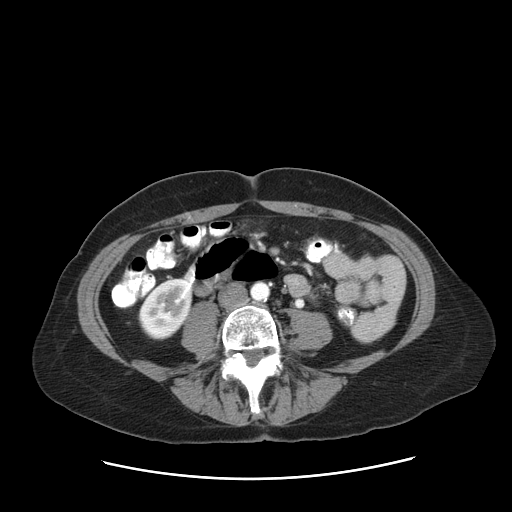
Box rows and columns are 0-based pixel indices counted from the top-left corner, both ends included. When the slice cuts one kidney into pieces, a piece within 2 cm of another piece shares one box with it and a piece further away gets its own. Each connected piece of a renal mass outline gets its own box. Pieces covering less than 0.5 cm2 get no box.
Arterial-phase contrast-enhanced abdominal CT, axial slice 41 of 83 (counted from the lowest slice); 5.00 mm thick, 0.775 mm per pixel. Right kidney at rows 278–340, columns 138–192 (outlined area 2,495 px, about 15.0 cm2). No renal mass is outlined on this slice.
Scan settings: 120 kVp, STANDARD reconstruction kernel.